Abdominal CT with intravenous contrast, arterial phase, axial plane, 120 kVp, kernel I30f. Slice 394/602 from the bottom of the scan; thickness 1.00 mm; pixel size 0.799 mm.
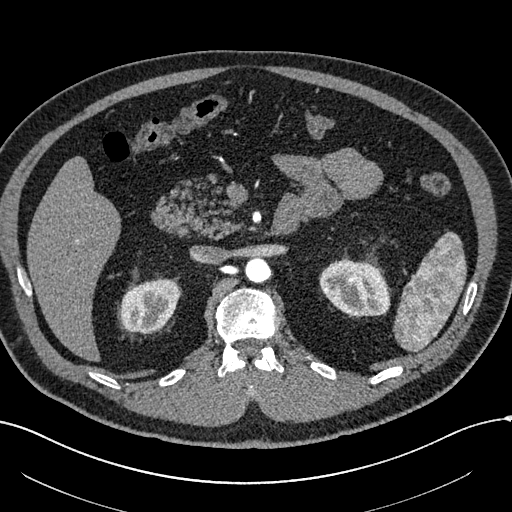
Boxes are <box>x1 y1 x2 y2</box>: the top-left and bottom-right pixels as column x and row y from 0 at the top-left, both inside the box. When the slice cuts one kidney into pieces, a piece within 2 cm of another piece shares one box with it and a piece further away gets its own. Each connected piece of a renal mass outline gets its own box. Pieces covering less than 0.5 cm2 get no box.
Two kidney boxes on this slice; by box centre, from the image's left to its right: (1) Right kidney: <box>120 279 180 332</box> (outlined area 2,552 px, about 16.3 cm2). (2) Left kidney: <box>318 258 390 316</box> (outlined area 3,220 px, about 20.5 cm2). No renal mass is outlined on this slice.